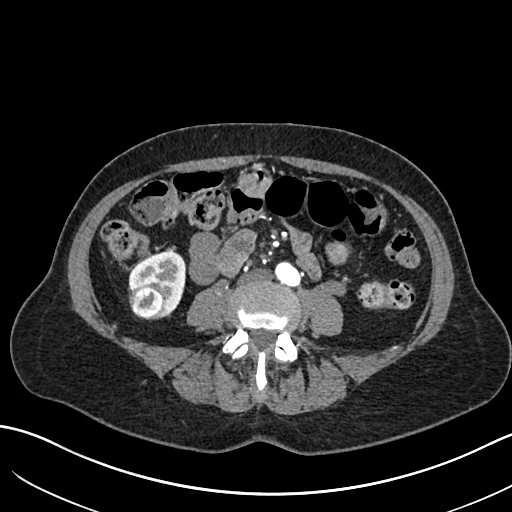
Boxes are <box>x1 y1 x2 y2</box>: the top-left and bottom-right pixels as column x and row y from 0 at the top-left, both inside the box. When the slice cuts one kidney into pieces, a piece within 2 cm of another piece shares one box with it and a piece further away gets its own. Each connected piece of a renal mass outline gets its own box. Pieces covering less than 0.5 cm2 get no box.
Slice 272/683 of a contrast-enhanced abdominal CT in the arterial phase, counting up from the lowest; pixel size 0.738 mm, slice thickness 1.00 mm. One kidney box and one renal mass box on this slice; by box centre, from the image's left to its right: (1) Right renal mass: <box>128 282 165 320</box> (outlined area 1,135 px, about 6.2 cm2). (2) Right kidney at <box>128 251 185 319</box> (outlined area 2,090 px, about 11.4 cm2).
Tube voltage 120 kVp; convolution kernel I30f.